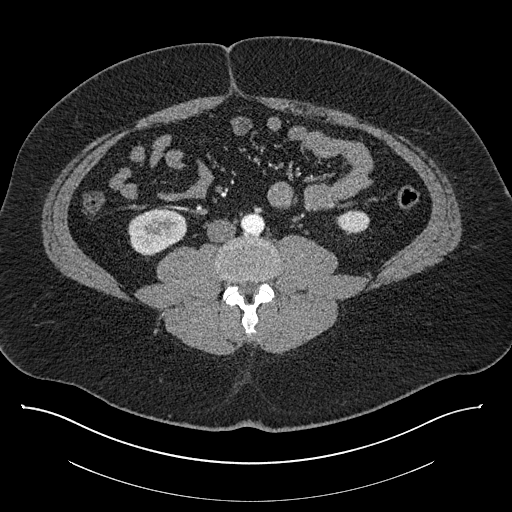
Contrast-enhanced abdominal CT, axial slice 351 of 787 (counted from the lowest slice); tube voltage 140 kVp, convolution kernel I30f; slices 1.00 mm thick, 0.910 mm per pixel.
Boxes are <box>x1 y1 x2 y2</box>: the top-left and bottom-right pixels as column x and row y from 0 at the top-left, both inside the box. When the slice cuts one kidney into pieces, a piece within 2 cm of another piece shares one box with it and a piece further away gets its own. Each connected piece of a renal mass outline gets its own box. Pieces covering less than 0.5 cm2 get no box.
Boxed on this slice (two kidney boxes), listed by box centre from the image's left to its right: (1) Right kidney: <box>128 207 187 254</box> (outlined area 2,145 px, about 17.8 cm2). (2) At <box>336 210 369 234</box>: left kidney (outlined area 636 px, about 5.3 cm2). This slice carries no renal mass outline.